Axial slice 501 of 719 of a contrast-enhanced abdominal CT in the arterial phase (slice 1 is the lowest), 120 kVp, kernel B20f; 1.00 mm slice thickness and 0.766 mm pixels.
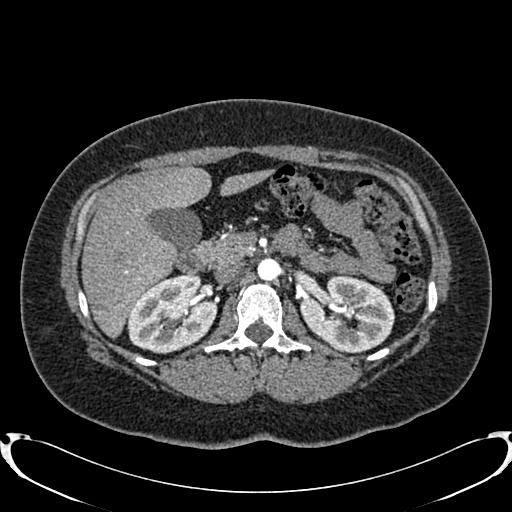
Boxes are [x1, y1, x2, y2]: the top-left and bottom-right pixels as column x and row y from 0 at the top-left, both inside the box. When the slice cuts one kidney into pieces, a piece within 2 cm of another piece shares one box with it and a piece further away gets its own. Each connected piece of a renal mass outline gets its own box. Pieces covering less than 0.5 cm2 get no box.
Two boxes on this slice (two kidney boxes), listed by box centre from the image's left to its right. (1) Right kidney, box [127, 273, 217, 353] (outlined area 5,343 px, about 31.3 cm2). (2) Box [300, 275, 394, 352]: left kidney (outlined area 5,355 px, about 31.4 cm2). No renal mass outline on this slice.